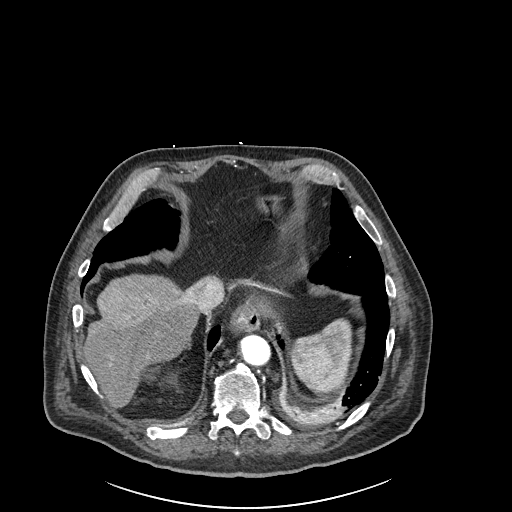
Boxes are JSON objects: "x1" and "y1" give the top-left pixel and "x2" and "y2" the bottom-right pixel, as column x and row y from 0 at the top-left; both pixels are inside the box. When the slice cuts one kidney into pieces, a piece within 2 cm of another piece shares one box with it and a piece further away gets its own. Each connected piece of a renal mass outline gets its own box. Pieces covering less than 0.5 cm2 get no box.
Arterial-phase contrast-enhanced abdominal CT, axial slice 214 of 261 (counted from the lowest slice); 2.00 mm thick, 0.939 mm per pixel. Right kidney, box {"x1": 141, "y1": 367, "x2": 180, "y2": 391} (outlined area 305 px, about 2.7 cm2). No renal mass outline on this slice.
Acquired at 120 kVp and reconstructed with the I30f kernel.